Axial slice 448 of 538 of a contrast-enhanced abdominal CT in the arterial phase (slice 1 is the lowest), 120 kVp, kernel B30f; 1.00 mm slice thickness and 0.811 mm pixels.
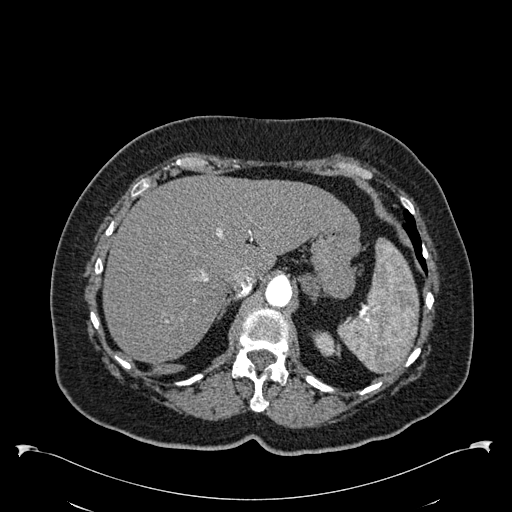
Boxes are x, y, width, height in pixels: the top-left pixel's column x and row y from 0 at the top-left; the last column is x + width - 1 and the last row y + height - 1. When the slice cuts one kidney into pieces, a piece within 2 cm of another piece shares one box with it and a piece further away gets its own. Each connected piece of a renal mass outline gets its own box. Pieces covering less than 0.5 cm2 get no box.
Box x 312, y 331, width 29, height 27: left kidney (outlined area 510 px, about 3.4 cm2). No renal mass outline on this slice.